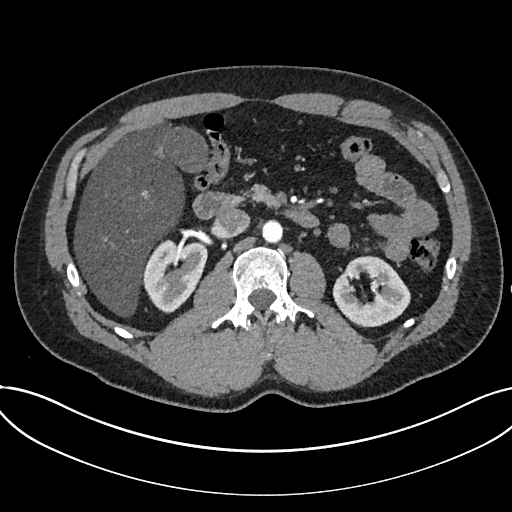
Arterial-phase contrast-enhanced abdominal CT, axial slice 424 of 735 (counted from the lowest slice); tube voltage 120 kVp, convolution kernel I30f; slices 1.00 mm thick, 0.789 mm per pixel.
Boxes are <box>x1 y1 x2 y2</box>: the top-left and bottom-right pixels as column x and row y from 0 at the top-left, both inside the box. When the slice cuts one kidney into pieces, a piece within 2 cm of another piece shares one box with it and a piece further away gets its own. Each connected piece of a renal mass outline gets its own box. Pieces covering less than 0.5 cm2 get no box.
Two boxes on this slice (two kidney boxes), listed by box centre from the image's left to its right. (1) At <box>143 238 207 313</box>: kidney (outlined area 3,421 px, about 21.3 cm2). (2) Kidney: <box>332 255 410 327</box> (outlined area 3,786 px, about 23.6 cm2). This slice carries no renal mass outline.